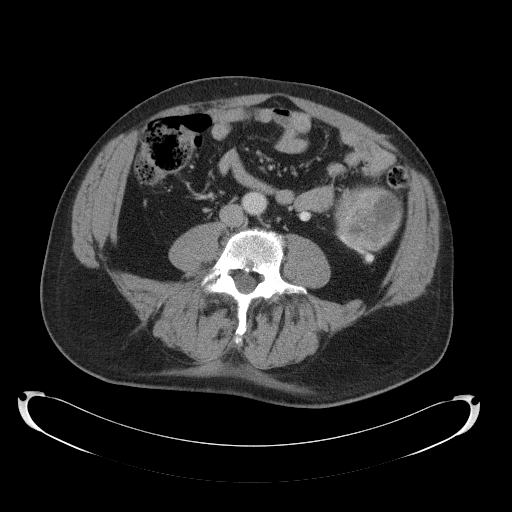
One axial slice (53 of 145, counting up from the lowest) of a contrast-enhanced abdominal CT acquired with 120 kVp, kernel B41f; each pixel is 0.859 mm and the slice is 5.00 mm thick.
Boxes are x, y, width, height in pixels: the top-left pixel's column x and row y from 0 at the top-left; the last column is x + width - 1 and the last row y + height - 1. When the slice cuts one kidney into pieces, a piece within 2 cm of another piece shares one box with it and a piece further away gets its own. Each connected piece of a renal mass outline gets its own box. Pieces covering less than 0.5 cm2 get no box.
Box x 334, y 184, width 69, height 80: left renal mass (outlined area 3,865 px, about 28.5 cm2); no kidney outline appears on this slice, but the same outlined renal mass comes within 1 cm of the kidney on another slice.